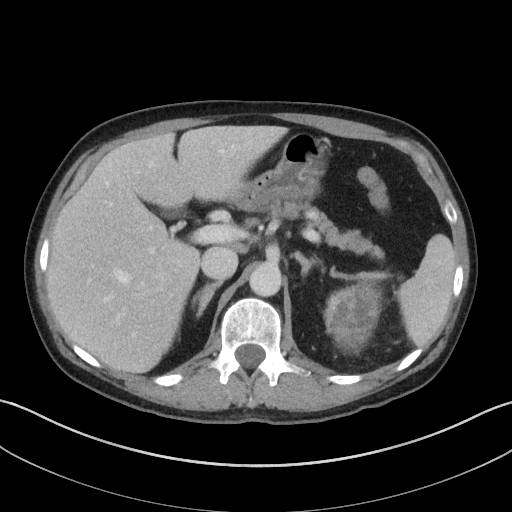
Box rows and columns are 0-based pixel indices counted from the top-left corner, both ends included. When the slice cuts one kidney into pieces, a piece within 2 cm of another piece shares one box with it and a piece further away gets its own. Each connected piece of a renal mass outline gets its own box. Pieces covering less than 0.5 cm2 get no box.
Contrast-enhanced abdominal CT, axial slice 78 of 143 (counted from the lowest slice); 5.00 mm thick, 0.734 mm per pixel. Box rows 278–355, columns 323–385: left renal mass (outlined area 3,328 px, about 17.9 cm2).
Acquired at 100 kVp and reconstructed with the I41f kernel.